One axial slice (377 of 787, counting up from the lowest) of a contrast-enhanced abdominal CT acquired with 140 kVp, kernel I30f; each pixel is 0.910 mm and the slice is 1.00 mm thick.
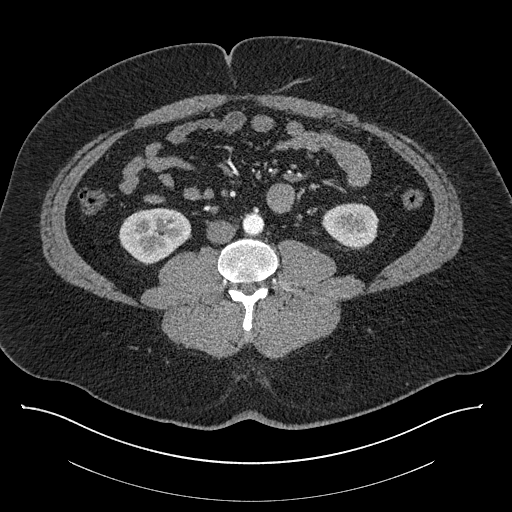
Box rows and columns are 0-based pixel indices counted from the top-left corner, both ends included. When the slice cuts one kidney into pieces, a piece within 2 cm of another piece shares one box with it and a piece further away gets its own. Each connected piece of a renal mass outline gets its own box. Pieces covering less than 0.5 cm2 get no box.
Two kidney boxes on this slice; by box centre, from the image's left to its right: (1) Box rows 207–265, columns 118–191: right kidney (outlined area 3,037 px, about 25.2 cm2). (2) Box rows 202–248, columns 321–378: left kidney (outlined area 2,006 px, about 16.6 cm2). No renal mass outline on this slice.